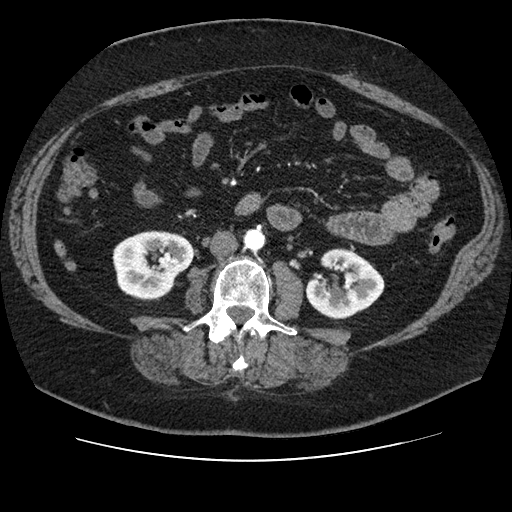
Arterial-phase contrast-enhanced abdominal CT, axial slice 36 of 106 (counted from the lowest slice); tube voltage 120 kVp, convolution kernel STANDARD; slices 2.50 mm thick, 0.742 mm per pixel.
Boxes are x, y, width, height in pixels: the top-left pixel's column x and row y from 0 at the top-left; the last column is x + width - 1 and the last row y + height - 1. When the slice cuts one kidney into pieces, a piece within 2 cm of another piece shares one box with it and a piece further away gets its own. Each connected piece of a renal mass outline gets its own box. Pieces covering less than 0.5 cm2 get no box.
Two boxes on this slice (two kidney boxes), listed by box centre from the image's left to its right. (1) Right kidney, box x 112, y 230, width 84, height 71 (outlined area 4,298 px, about 23.7 cm2). (2) Box x 305, y 248, width 80, height 72: left kidney (outlined area 3,859 px, about 21.3 cm2). No renal mass is outlined on this slice.